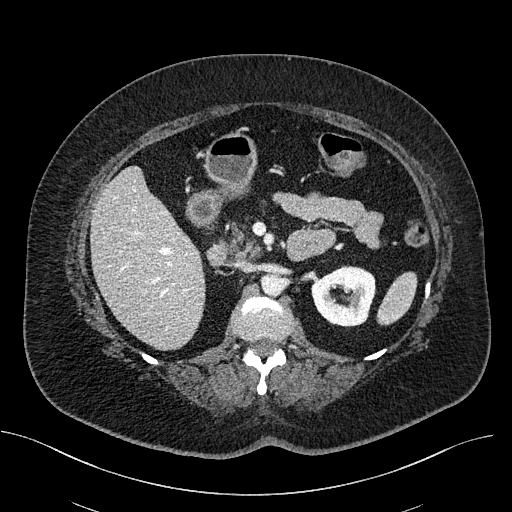
Axial slice 317 of 470 of a contrast-enhanced abdominal CT (slice 1 is the lowest), 100 kVp, kernel I40f; 2.00 mm slice thickness and 0.824 mm pixels.
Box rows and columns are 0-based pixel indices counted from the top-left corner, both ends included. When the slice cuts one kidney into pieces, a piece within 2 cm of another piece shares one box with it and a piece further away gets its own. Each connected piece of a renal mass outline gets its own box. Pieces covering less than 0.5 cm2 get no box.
Left kidney, box rows 265–326, columns 311–375 (outlined area 3,001 px, about 20.4 cm2). This slice carries no renal mass outline.